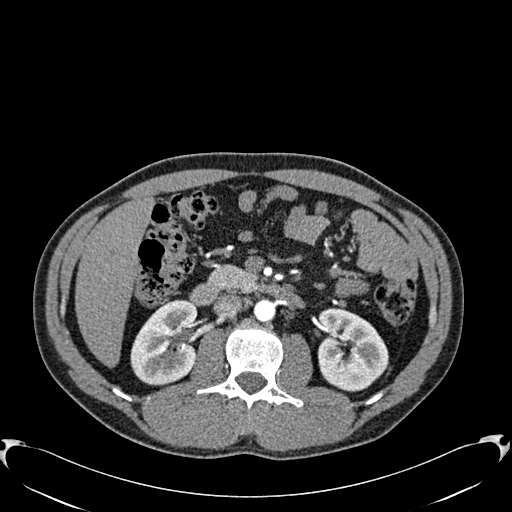
Abdominal CT with intravenous contrast, arterial phase, axial plane, 120 kVp, kernel B30f. Slice 344/512 from the bottom of the scan; thickness 1.00 mm; pixel size 0.771 mm.
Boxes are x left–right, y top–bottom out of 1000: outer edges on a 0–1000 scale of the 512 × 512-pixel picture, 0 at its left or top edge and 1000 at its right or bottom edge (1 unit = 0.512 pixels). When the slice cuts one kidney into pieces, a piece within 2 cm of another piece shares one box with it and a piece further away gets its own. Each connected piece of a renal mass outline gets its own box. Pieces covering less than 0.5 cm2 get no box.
Two boxes on this slice (two kidney boxes), listed by box centre from the image's left to its right. (1) Right kidney, box x 254–387, y 584–754 out of 1000 (outlined area 4,449 px, about 26.5 cm2). (2) Left kidney at x 619–760, y 602–766 out of 1000 (outlined area 4,546 px, about 27.1 cm2). This slice carries no renal mass outline.